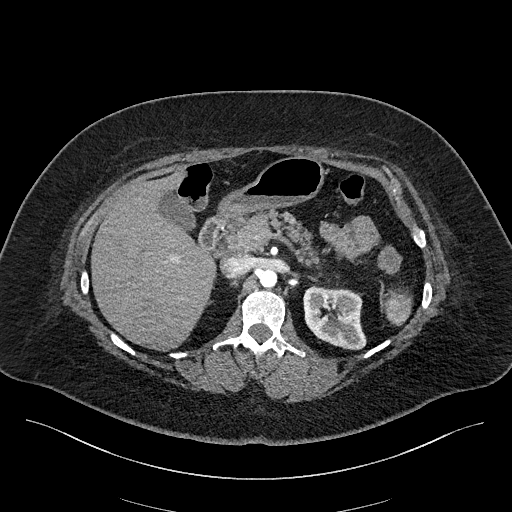
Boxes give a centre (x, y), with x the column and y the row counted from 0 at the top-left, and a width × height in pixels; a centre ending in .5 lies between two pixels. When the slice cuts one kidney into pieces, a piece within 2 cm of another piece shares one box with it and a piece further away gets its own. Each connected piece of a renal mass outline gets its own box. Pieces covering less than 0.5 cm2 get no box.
Slice 137/270 of a contrast-enhanced abdominal CT in the arterial phase, counting up from the lowest; pixel size 0.855 mm, slice thickness 2.00 mm. Left kidney in a box with centre (334.5, 317), 64 × 65 pixels (outlined area 3,145 px, about 23.0 cm2). No renal mass is outlined on this slice.
Acquired at 100 kVp and reconstructed with the I40f kernel.